Axial slice 379 of 1059 of a contrast-enhanced abdominal CT in the arterial phase (slice 1 is the lowest), 100 kVp, kernel I30f; 1.00 mm slice thickness and 0.811 mm pixels.
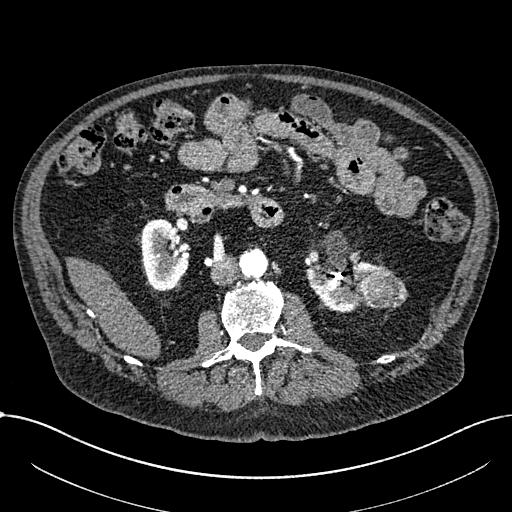
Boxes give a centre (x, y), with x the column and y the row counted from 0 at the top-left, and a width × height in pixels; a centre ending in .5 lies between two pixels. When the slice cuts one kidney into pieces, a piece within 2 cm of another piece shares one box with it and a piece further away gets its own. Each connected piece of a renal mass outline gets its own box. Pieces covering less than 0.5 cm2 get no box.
Two kidney boxes and one renal mass box on this slice; by box centre, from the image's left to its right: (1) Box centre (165.5, 255), 50 × 73 pixels: right part of the midline-crossing kidney (outlined area 2,707 px, about 17.8 cm2). (2) Left part of the midline-crossing kidney in a box with centre (346, 285.5), 83 × 52 pixels (outlined area 2,377 px, about 15.6 cm2). (3) Renal mass, box centre (383.5, 289), 50 × 39 pixels (outlined area 1,451 px, about 9.5 cm2).